Axial slice 486 of 738 of a contrast-enhanced abdominal CT in the arterial phase (slice 1 is the lowest), 120 kVp, kernel I30f; 1.00 mm slice thickness and 0.789 mm pixels.
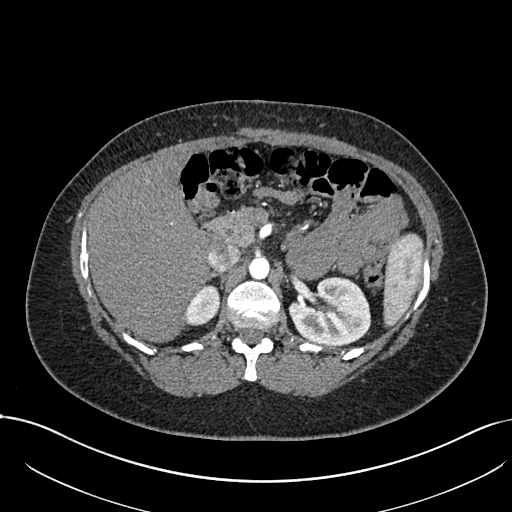
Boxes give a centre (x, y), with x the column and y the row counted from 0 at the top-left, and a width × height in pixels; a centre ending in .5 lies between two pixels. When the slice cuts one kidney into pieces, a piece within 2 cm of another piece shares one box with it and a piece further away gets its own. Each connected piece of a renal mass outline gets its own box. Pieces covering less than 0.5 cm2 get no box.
Two boxes on this slice (two kidney boxes), listed by box centre from the image's left to its right. (1) Right kidney in a box with centre (201, 304.5), 37 × 42 pixels (outlined area 1,111 px, about 6.9 cm2). (2) Box centre (330, 310.5), 83 × 70 pixels: left kidney (outlined area 4,309 px, about 26.8 cm2). No renal mass outline on this slice.